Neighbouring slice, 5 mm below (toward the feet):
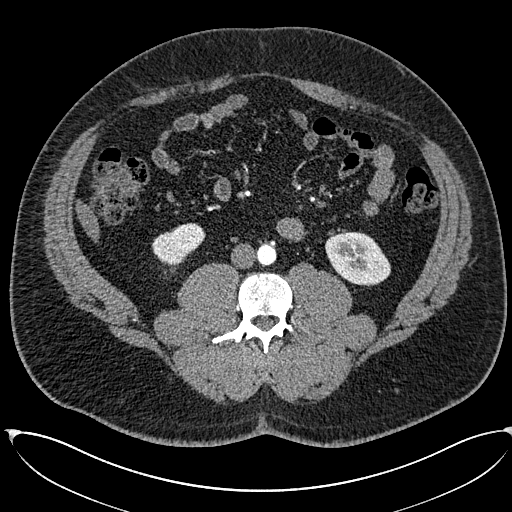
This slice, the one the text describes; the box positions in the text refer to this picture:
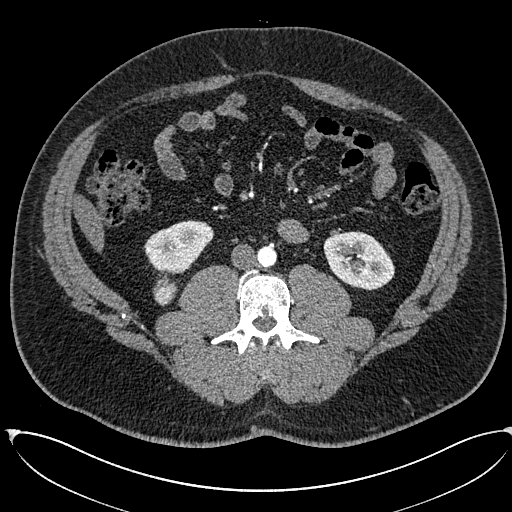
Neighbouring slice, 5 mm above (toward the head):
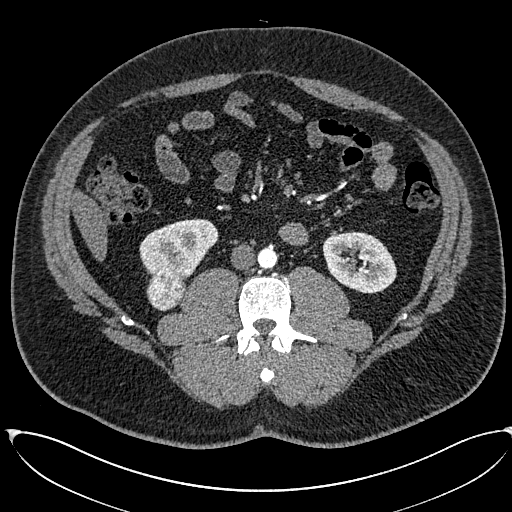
Axial slice 264 of 673 of a contrast-enhanced abdominal CT in the arterial phase (slice 1 is the lowest), 120 kVp, kernel I30f; 1.00 mm slice thickness and 0.855 mm pixels.
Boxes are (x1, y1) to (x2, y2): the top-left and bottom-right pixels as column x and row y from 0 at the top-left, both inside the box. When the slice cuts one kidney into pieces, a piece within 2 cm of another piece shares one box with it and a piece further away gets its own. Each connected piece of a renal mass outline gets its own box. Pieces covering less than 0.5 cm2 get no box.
Two kidney boxes and one renal mass box on this slice; by box centre, from the image's left to its right: (1) Right renal mass from (153, 280) to (177, 306) (outlined area 479 px, about 3.5 cm2). (2) Right kidney from (143, 220) to (213, 274) (outlined area 2,628 px, about 19.2 cm2). (3) Left kidney, box (323, 231) to (394, 290) (outlined area 3,127 px, about 22.9 cm2). This slice is near the end of the right renal mass toward the feet, so the slices 5 mm below and 5 mm above it are shown as well; the boxes refer to this slice only.